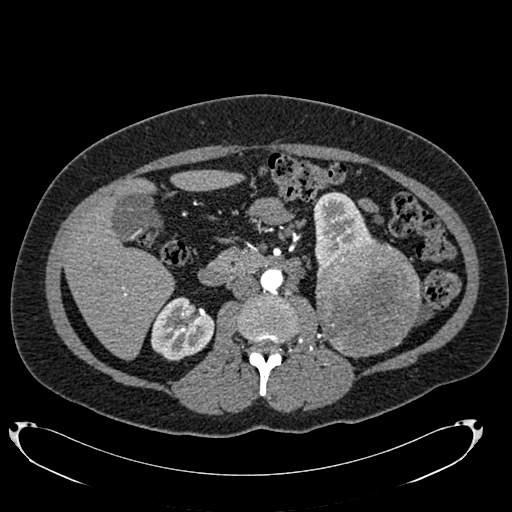
Arterial-phase contrast-enhanced abdominal CT, axial slice 405 of 634 (counted from the lowest slice); tube voltage 120 kVp, convolution kernel B20f; slices 1.00 mm thick, 0.838 mm per pixel.
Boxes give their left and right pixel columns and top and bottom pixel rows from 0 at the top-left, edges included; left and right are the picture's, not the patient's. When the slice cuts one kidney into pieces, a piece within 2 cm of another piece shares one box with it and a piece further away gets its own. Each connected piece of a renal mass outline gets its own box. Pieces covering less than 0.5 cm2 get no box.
Two kidney boxes and one renal mass box on this slice; by box centre, from the image's left to its right: (1) Right kidney, the box with left 151, top 297, right 214, bottom 360 (outlined area 2,978 px, about 20.9 cm2). (2) Left kidney, the box with left 313, top 191, right 377, bottom 269 (outlined area 2,899 px, about 20.4 cm2). (3) Left renal mass in the box with left 315, top 241, right 420, bottom 358 (outlined area 9,736 px, about 68.4 cm2).